Arterial-phase contrast-enhanced abdominal CT, axial slice 335 of 735 (counted from the lowest slice); tube voltage 120 kVp, convolution kernel I30f; slices 1.00 mm thick, 0.789 mm per pixel.
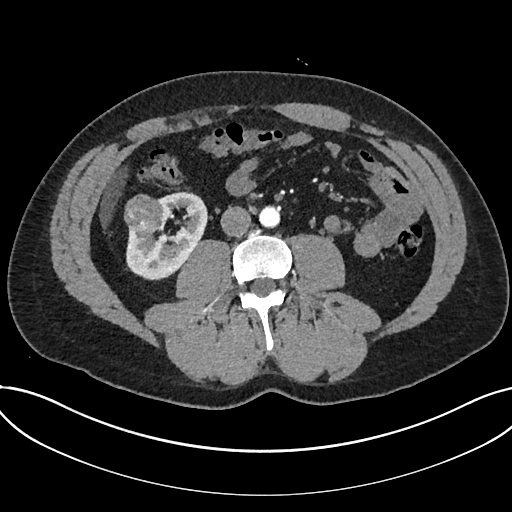
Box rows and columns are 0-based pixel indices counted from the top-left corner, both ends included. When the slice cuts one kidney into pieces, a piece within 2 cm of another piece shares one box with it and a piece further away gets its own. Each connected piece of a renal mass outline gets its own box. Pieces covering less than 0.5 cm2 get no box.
Two boxes on this slice (one kidney box and one renal mass box), listed by box centre from the image's left to its right. (1) Renal mass at rows 194–233, columns 124–164 (outlined area 1,295 px, about 8.1 cm2). (2) Kidney at rows 191–280, columns 125–207 (outlined area 4,252 px, about 26.5 cm2).